Abdominal CT with intravenous contrast, arterial phase, axial plane, 100 kVp, kernel I40f. Slice 66/270 from the bottom of the scan; thickness 2.00 mm; pixel size 0.855 mm.
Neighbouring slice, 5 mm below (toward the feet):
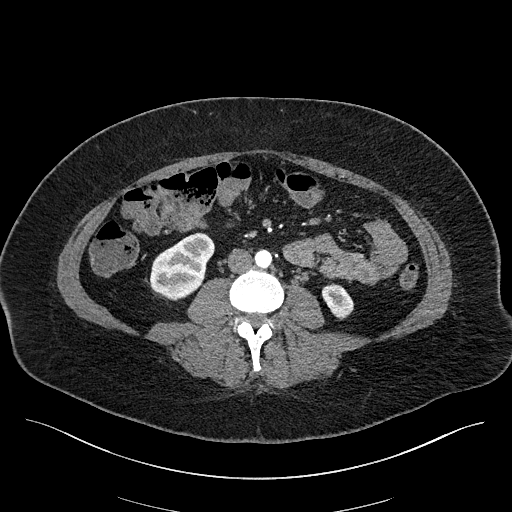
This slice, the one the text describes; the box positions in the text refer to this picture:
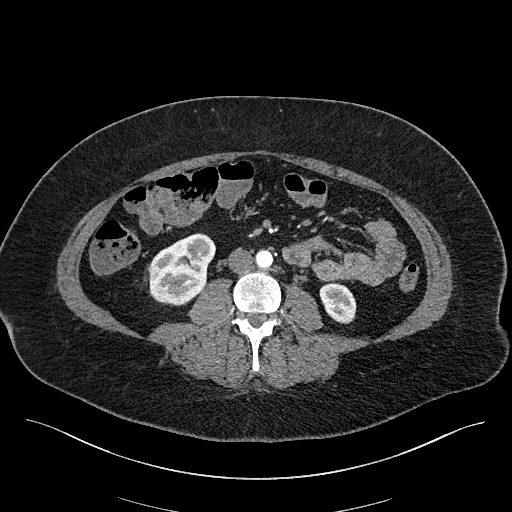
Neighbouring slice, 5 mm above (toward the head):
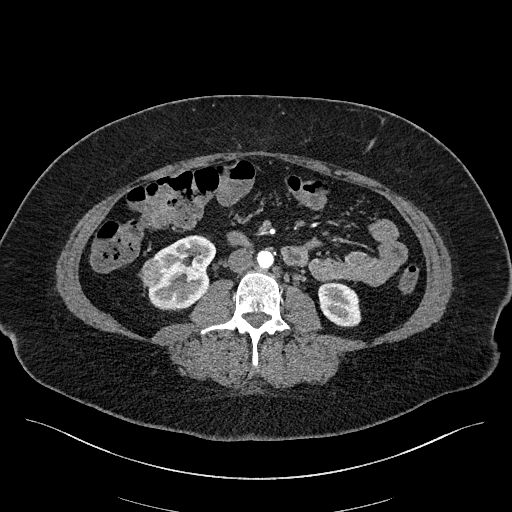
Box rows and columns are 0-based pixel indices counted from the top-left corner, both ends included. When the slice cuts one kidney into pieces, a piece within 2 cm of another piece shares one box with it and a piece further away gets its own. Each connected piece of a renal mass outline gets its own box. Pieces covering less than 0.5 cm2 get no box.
Two kidney boxes and one renal mass box on this slice; by box centre, from the image's left to its right: (1) Right renal mass at rows 265–278, columns 147–157 (outlined area 98 px, about 0.7 cm2). (2) Right kidney, box rows 233–304, columns 149–215 (outlined area 3,391 px, about 24.8 cm2). (3) Box rows 283–323, columns 319–356: left kidney (outlined area 1,161 px, about 8.5 cm2). This slice lies near the end of the right renal mass toward the feet; the slices 5 mm below and 5 mm above it are shown too, and the boxes mark positions on this slice only.